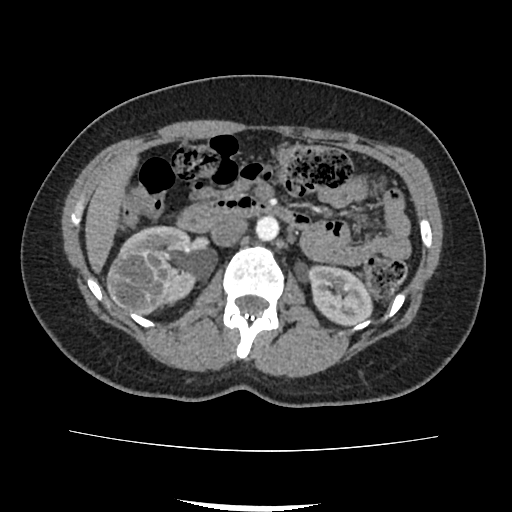
Axial slice 48 of 103 of a contrast-enhanced abdominal CT (slice 1 is the lowest), 120 kVp, kernel FC18; 3.00 mm slice thickness and 0.714 mm pixels.
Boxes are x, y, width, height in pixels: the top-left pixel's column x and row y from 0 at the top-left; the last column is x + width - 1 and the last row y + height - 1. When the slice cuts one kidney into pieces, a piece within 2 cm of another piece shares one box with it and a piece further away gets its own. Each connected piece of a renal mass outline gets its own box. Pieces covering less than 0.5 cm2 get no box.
Boxed on this slice (two kidney boxes and one renal mass box), listed by box centre from the image's left to its right: (1) Right renal mass at x 106, y 251, width 66, height 64 (outlined area 3,354 px, about 17.1 cm2). (2) Right kidney at x 119, y 225, width 78, height 82 (outlined area 2,836 px, about 14.5 cm2). (3) Box x 307, y 263, width 67, height 66: left kidney (outlined area 2,990 px, about 15.2 cm2).